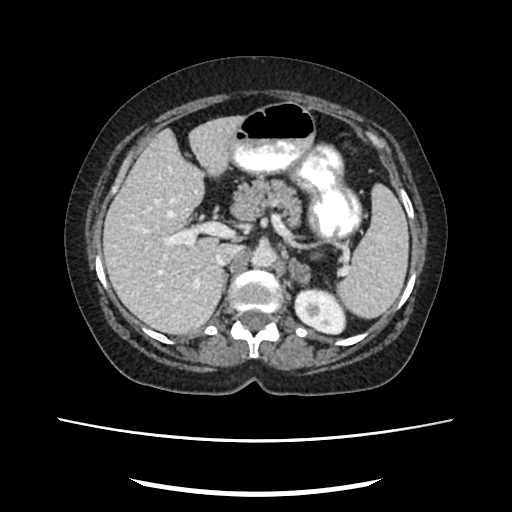
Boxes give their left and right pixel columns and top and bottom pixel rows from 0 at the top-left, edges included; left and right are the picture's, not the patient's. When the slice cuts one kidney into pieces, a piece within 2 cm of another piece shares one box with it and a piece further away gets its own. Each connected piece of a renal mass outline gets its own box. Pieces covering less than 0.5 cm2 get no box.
This is axial slice 158 of 207 (slice 1 is the lowest) of an arterial-phase abdominal CT with contrast; each pixel is 0.741 mm and the slice is 2.00 mm thick. Left kidney, the box with left 294, top 287, right 346, bottom 335 (outlined area 1,931 px, about 10.6 cm2). No renal mass is outlined on this slice.
Tube voltage 120 kVp; convolution kernel FC18.